Axial slice 90 of 145 of a contrast-enhanced abdominal CT in the arterial phase (slice 1 is the lowest), 100 kVp, kernel I40f; 3.00 mm slice thickness and 0.834 mm pixels.
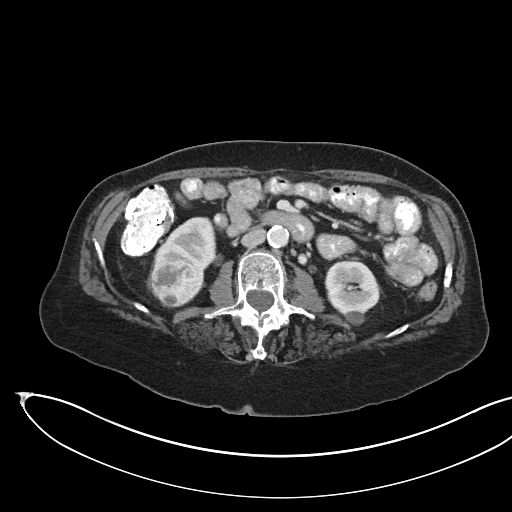
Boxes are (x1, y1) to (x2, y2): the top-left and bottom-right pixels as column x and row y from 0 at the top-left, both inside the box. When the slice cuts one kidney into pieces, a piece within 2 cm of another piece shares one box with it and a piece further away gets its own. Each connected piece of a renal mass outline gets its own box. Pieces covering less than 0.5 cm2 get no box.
Two kidney boxes and one renal mass box on this slice; by box centre, from the image's left to its right: (1) Renal mass from (150, 258) to (199, 306) (outlined area 1,933 px, about 13.4 cm2). (2) Box (154, 216) to (216, 290): kidney (outlined area 2,249 px, about 15.6 cm2). (3) Box (324, 260) to (379, 325): kidney (outlined area 2,589 px, about 18.0 cm2).